Abdominal CT with intravenous contrast, axial plane, 120 kVp, kernel B. Slice 26/105 from the bottom of the scan; thickness 3.00 mm; pixel size 0.977 mm.
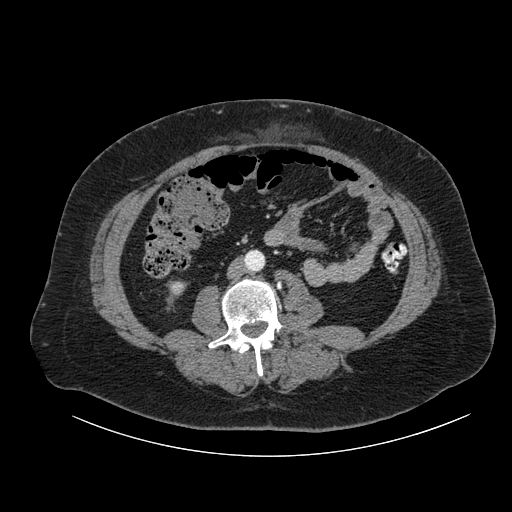
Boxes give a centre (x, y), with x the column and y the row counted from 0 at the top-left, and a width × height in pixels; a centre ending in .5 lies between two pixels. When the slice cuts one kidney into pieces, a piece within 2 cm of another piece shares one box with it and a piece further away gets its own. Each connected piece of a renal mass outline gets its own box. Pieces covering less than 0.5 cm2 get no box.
Right kidney, box centre (176.5, 289), 18 × 17 pixels (outlined area 220 px, about 2.1 cm2). This slice carries no renal mass outline.